Abdominal CT with intravenous contrast, axial plane, 120 kVp, kernel B. Slice 49/105 from the bottom of the scan; thickness 3.00 mm; pixel size 0.977 mm.
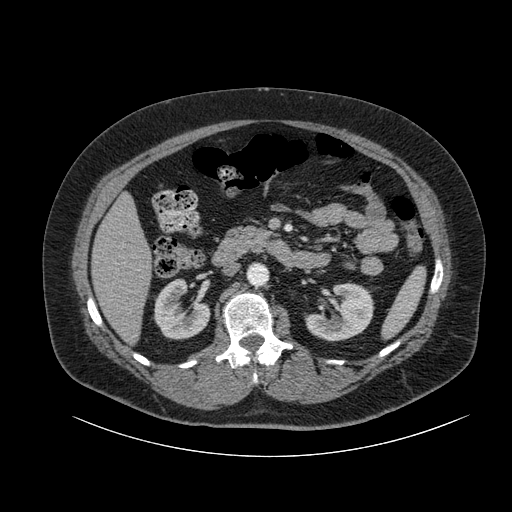
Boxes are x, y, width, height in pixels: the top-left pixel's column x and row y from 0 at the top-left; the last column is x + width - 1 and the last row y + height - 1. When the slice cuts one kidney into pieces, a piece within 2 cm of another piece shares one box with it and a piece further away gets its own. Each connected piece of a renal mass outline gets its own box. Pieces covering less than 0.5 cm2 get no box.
Boxed on this slice (two kidney boxes), listed by box centre from the image's left to its right: (1) Right kidney at x 153, y 278, width 58, height 62 (outlined area 2,412 px, about 23.0 cm2). (2) Box x 304, y 282, width 71, height 60: left kidney (outlined area 2,910 px, about 27.8 cm2). No renal mass outline on this slice.